Abdominal CT with intravenous contrast, axial plane, 120 kVp, kernel STANDARD. Slice 51/103 from the bottom of the scan; thickness 2.50 mm; pixel size 0.820 mm.
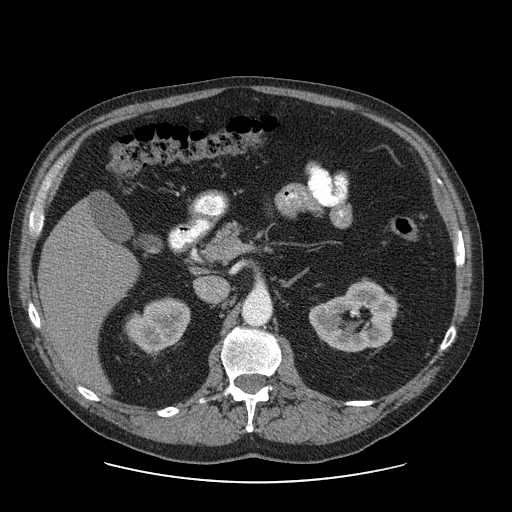
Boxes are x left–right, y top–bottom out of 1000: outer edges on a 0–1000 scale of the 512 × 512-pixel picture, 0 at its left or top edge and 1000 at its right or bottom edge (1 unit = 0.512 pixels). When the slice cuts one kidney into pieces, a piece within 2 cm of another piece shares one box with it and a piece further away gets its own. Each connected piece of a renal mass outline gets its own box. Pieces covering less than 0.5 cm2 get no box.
Boxed on this slice (two kidney boxes), listed by box centre from the image's left to its right: (1) Right kidney at x 246–373, y 580–688 out of 1000 (outlined area 2,520 px, about 17.0 cm2). (2) Box x 602–777, y 549–689 out of 1000: left kidney (outlined area 4,314 px, about 29.0 cm2). No renal mass outline on this slice.